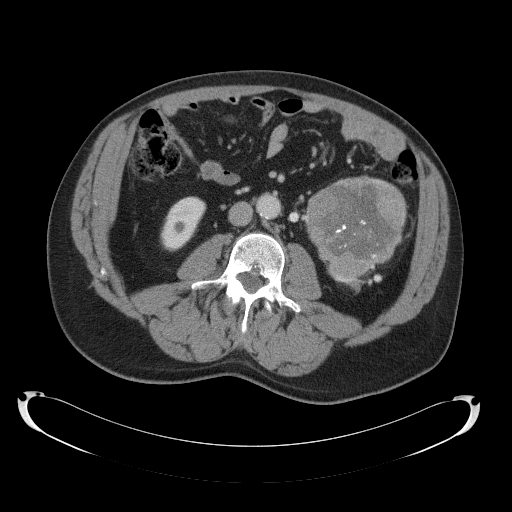
Abdominal CT with intravenous contrast, axial plane, 120 kVp, kernel B41f. Slice 60/145 from the bottom of the scan; thickness 5.00 mm; pixel size 0.859 mm.
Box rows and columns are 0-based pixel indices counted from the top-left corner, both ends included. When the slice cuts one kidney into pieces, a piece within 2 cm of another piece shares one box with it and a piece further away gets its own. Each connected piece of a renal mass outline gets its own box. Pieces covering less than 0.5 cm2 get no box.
One kidney box and one renal mass box on this slice; by box centre, from the image's left to its right: (1) Right kidney, box rows 196–251, columns 160–206 (outlined area 1,705 px, about 12.6 cm2). (2) Left renal mass at rows 175–284, columns 305–407 (outlined area 8,138 px, about 60.1 cm2); here it is more than 1 cm from any kidney outline, though on another slice the same outlined renal mass lies within 1 cm of the kidney.